Abdominal CT with intravenous contrast, axial plane, 140 kVp, kernel B41f. Slice 40/61 from the bottom of the scan; thickness 3.00 mm; pixel size 0.939 mm.
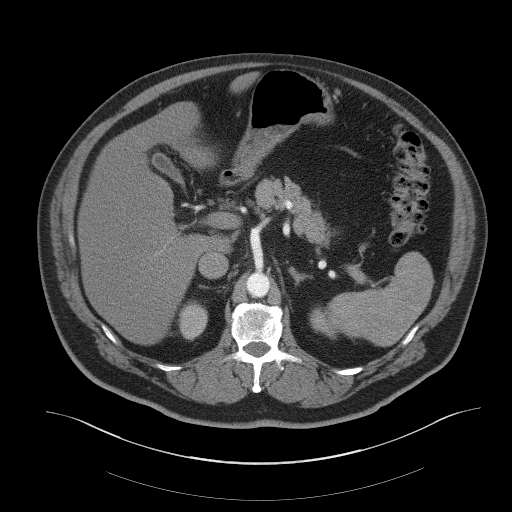
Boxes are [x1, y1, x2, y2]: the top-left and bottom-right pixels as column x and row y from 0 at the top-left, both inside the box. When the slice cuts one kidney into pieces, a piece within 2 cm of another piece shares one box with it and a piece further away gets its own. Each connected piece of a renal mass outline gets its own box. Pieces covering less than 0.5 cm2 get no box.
Two kidney boxes on this slice; by box centre, from the image's left to its right: (1) Right kidney at [177, 301, 207, 340] (outlined area 928 px, about 8.2 cm2). (2) Left kidney, box [309, 307, 335, 339] (outlined area 590 px, about 5.2 cm2). No renal mass outline on this slice.